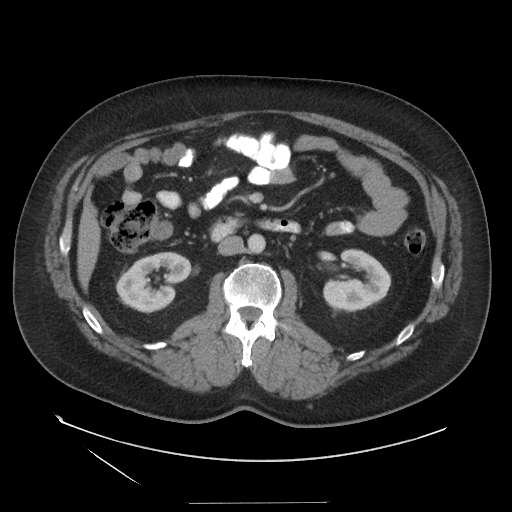
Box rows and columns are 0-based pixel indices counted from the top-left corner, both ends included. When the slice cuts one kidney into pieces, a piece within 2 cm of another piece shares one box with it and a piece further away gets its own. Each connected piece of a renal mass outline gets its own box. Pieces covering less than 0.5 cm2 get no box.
Slice 77/129 of a contrast-enhanced abdominal CT in the arterial phase, counting up from the lowest; pixel size 0.938 mm, slice thickness 3.75 mm. Boxed on this slice (two kidney boxes), listed by box centre from the image's left to its right: (1) Box rows 251–313, columns 115–190: right kidney (outlined area 3,201 px, about 28.1 cm2). (2) Left kidney at rows 248–312, columns 323–390 (outlined area 3,046 px, about 26.8 cm2). No renal mass is outlined on this slice.
Tube voltage 140 kVp; convolution kernel STANDARD.